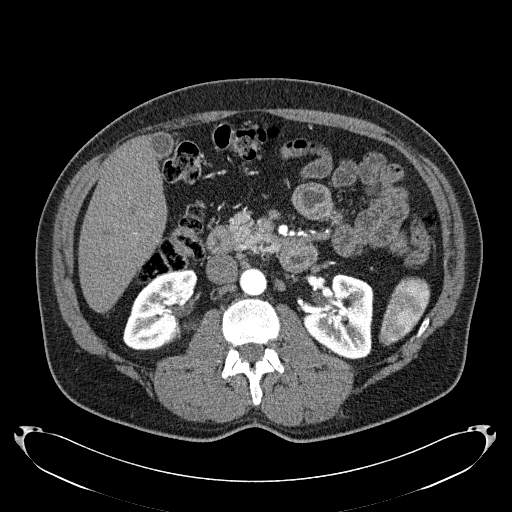
One axial slice (116 of 279, counting up from the lowest) of an arterial-phase abdominal CT acquired with 120 kVp, kernel B31f; each pixel is 0.824 mm and the slice is 2.00 mm thick.
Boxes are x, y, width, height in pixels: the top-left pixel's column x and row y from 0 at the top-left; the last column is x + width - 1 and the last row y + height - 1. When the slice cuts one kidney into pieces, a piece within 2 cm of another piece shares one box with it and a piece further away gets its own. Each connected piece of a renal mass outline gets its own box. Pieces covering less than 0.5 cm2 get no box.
Boxed on this slice (two kidney boxes), listed by box centre from the image's left to its right: (1) Right kidney at x 123, y 269, width 75, height 80 (outlined area 4,027 px, about 27.4 cm2). (2) Box x 301, y 274, width 73, height 86: left kidney (outlined area 4,542 px, about 30.9 cm2). This slice carries no renal mass outline.